Abdominal CT with intravenous contrast, arterial phase, axial plane, 120 kVp, kernel B30f. Slice 198/581 from the bottom of the scan; thickness 1.00 mm; pixel size 0.713 mm.
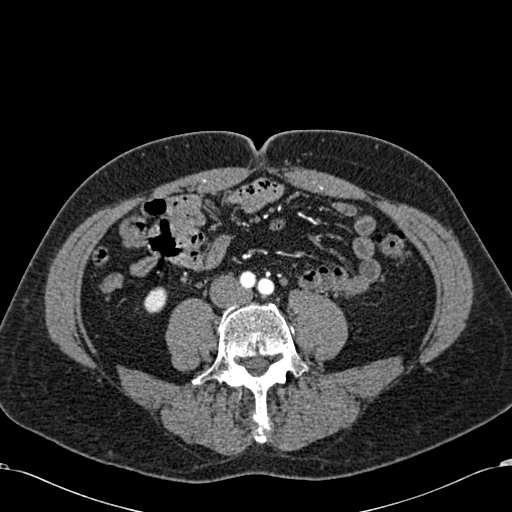
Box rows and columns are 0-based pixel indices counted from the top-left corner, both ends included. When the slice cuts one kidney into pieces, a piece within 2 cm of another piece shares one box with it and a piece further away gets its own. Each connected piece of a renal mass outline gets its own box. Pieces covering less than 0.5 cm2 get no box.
Right kidney at rows 287–313, columns 143–167 (outlined area 483 px, about 2.5 cm2). No renal mass outline on this slice.